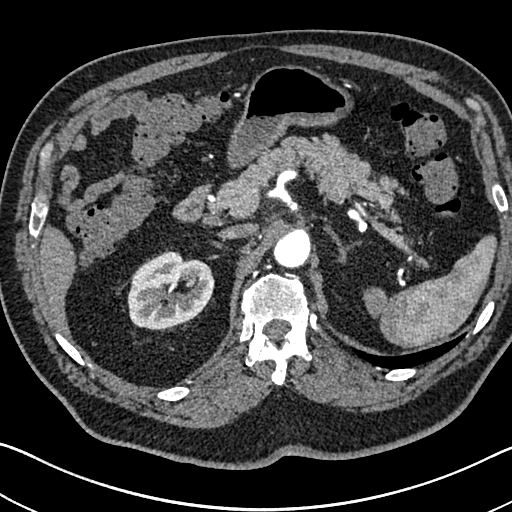
Axial slice 505 of 705 of a contrast-enhanced abdominal CT in the arterial phase (slice 1 is the lowest), 120 kVp, kernel I30f; 1.00 mm slice thickness and 0.703 mm pixels.
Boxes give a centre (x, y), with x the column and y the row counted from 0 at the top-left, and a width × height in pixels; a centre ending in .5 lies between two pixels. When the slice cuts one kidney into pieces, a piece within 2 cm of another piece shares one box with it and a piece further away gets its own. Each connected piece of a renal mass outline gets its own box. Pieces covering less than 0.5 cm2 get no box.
Box centre (170.5, 290), 88 × 81 pixels: right kidney (outlined area 5,165 px, about 25.5 cm2). No renal mass is outlined on this slice.